Axial slice 569 of 735 of a contrast-enhanced abdominal CT in the arterial phase (slice 1 is the lowest), 120 kVp, kernel I30f; 1.00 mm slice thickness and 0.789 mm pixels.
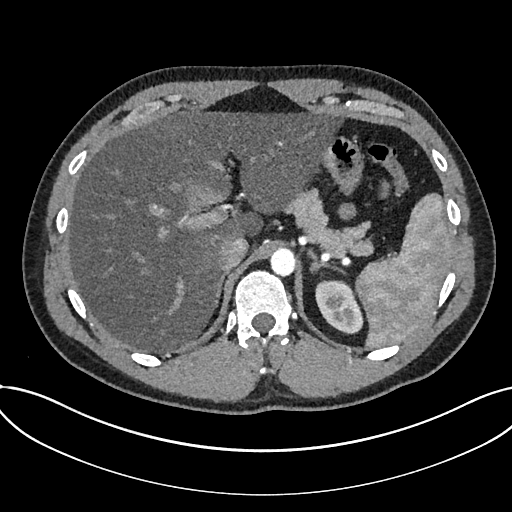
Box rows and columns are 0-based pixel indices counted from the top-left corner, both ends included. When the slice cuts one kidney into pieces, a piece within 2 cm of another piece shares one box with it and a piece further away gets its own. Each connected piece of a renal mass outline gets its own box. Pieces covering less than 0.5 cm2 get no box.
Box rows 280–334, columns 315–363: kidney (outlined area 1,918 px, about 11.9 cm2). No renal mass outline on this slice.